One axial slice (508 of 634, counting up from the lowest) of an arterial-phase abdominal CT acquired with 120 kVp, kernel B20f; each pixel is 0.838 mm and the slice is 1.00 mm thick.
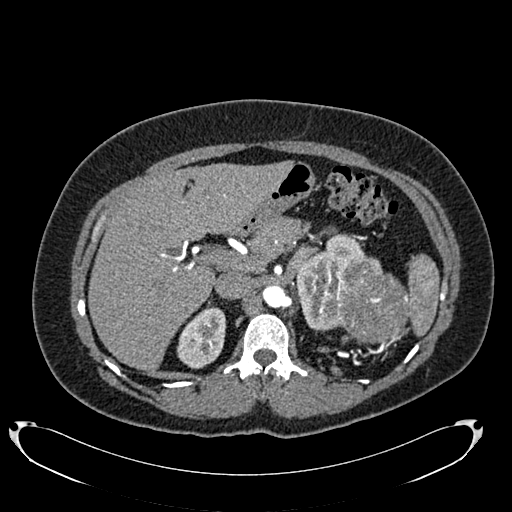
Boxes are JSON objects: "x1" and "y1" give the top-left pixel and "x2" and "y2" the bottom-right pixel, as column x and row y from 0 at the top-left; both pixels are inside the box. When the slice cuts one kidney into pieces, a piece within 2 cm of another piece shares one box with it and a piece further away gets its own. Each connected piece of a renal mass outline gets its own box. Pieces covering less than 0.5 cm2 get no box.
Three boxes on this slice (two kidney boxes and one renal mass box), listed by box centre from the image's left to its right. (1) Box {"x1": 176, "y1": 306, "x2": 226, "y2": 368}: right kidney (outlined area 2,267 px, about 15.9 cm2). (2) Left kidney at {"x1": 296, "y1": 234, "x2": 383, "y2": 330} (outlined area 4,376 px, about 30.7 cm2). (3) Box {"x1": 336, "y1": 273, "x2": 411, "y2": 343}: left renal mass (outlined area 4,318 px, about 30.3 cm2).